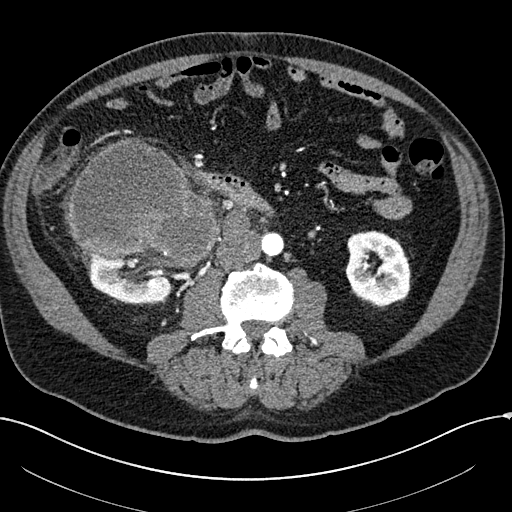
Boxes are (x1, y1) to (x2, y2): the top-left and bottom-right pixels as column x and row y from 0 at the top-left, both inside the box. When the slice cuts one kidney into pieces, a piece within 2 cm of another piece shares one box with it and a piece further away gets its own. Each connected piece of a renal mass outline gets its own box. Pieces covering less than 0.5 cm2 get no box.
Arterial-phase contrast-enhanced abdominal CT, axial slice 73 of 304 (counted from the lowest slice); 2.00 mm thick, 0.809 mm per pixel. Boxed on this slice (two kidney boxes and one renal mass box), listed by box centre from the image's left to its right: (1) Right kidney from (87, 252) to (172, 304) (outlined area 3,328 px, about 21.8 cm2). (2) Box (66, 138) to (218, 269): right renal mass (outlined area 14,144 px, about 92.5 cm2). (3) Left kidney from (345, 230) to (410, 305) (outlined area 3,815 px, about 24.9 cm2).
Scan settings: 100 kVp, I30f reconstruction kernel.